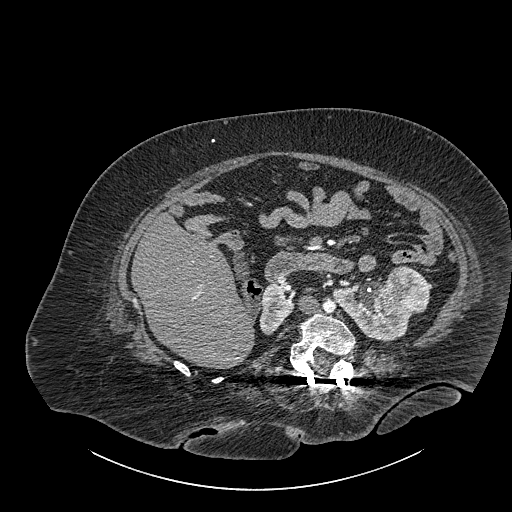
Contrast-enhanced abdominal CT, axial slice 528 of 834 (counted from the lowest slice); tube voltage 140 kVp, convolution kernel I30f; slices 1.00 mm thick, 0.977 mm per pixel.
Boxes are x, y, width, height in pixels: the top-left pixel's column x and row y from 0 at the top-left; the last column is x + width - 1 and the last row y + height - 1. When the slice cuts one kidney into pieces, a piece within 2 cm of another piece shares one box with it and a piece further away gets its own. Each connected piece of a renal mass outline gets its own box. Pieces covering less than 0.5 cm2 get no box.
Three boxes on this slice (two kidney boxes and one renal mass box), listed by box centre from the image's left to its right. (1) Right part of the midline-crossing kidney, box x 259, y 284, width 58, height 51 (outlined area 1,223 px, about 11.7 cm2). (2) Left part of the midline-crossing kidney, box x 332, y 284, width 80, height 58 (outlined area 2,748 px, about 26.2 cm2). (3) Renal mass at x 385, y 266, width 45, height 49 (outlined area 1,664 px, about 15.9 cm2).